Abdominal CT with intravenous contrast, axial plane, 100 kVp, kernel I40f. Slice 100/163 from the bottom of the scan; thickness 3.00 mm; pixel size 0.799 mm.
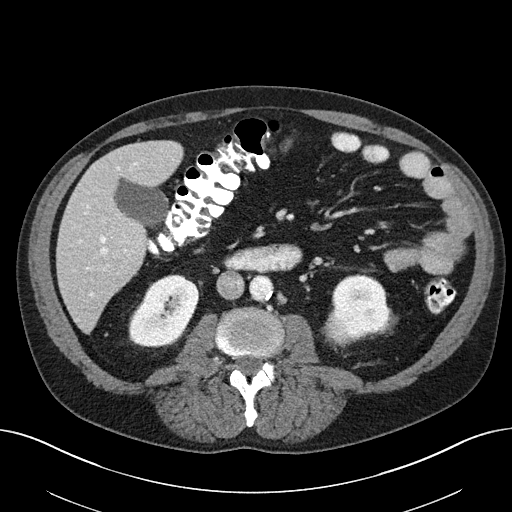
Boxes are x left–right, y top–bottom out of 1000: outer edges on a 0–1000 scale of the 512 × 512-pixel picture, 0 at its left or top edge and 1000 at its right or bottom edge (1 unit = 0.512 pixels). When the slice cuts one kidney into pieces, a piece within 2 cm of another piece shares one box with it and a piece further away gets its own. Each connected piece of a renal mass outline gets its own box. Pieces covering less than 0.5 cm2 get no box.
Three boxes on this slice (two kidney boxes and one renal mass box), listed by box centre from the image's left to its right. (1) Box x 252–389, y 535–678 out of 1000: right kidney (outlined area 3,639 px, about 23.2 cm2). (2) Left renal mass at x 633–699, y 613–676 out of 1000 (outlined area 826 px, about 5.3 cm2). (3) Box x 645–766, y 535–664 out of 1000: left kidney (outlined area 2,696 px, about 17.2 cm2).